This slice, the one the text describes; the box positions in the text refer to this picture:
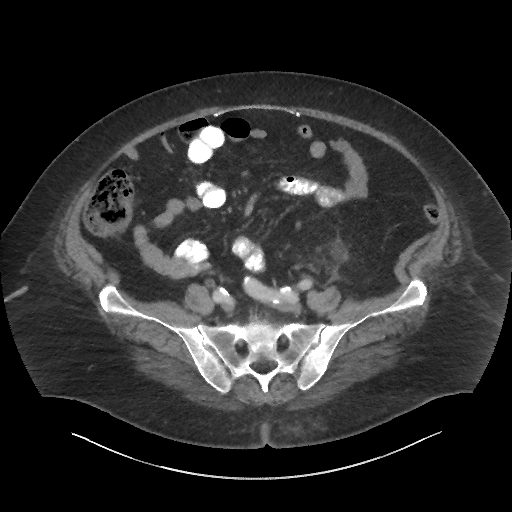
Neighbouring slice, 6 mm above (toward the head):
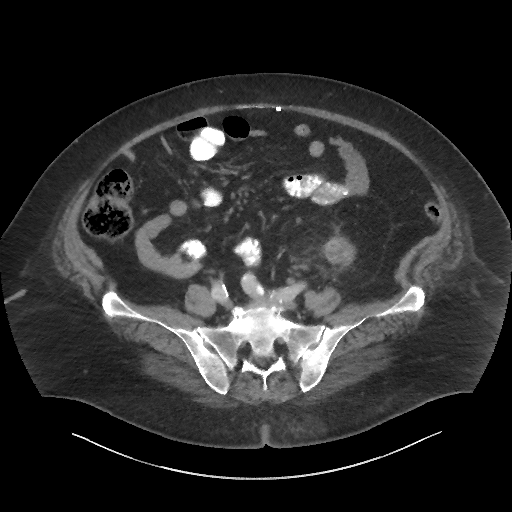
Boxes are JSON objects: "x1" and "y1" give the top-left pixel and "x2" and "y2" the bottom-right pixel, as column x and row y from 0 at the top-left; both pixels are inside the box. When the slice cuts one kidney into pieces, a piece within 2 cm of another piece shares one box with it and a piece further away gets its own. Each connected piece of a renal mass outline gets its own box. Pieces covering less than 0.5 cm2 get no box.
Slice 2/86 of a contrast-enhanced abdominal CT, counting up from the lowest; pixel size 0.977 mm, slice thickness 3.00 mm. Box {"x1": 331, "y1": 244, "x2": 347, "y2": 256}: left renal mass (outlined area 176 px, about 1.7 cm2); no kidney outline appears on this slice, but the same outlined renal mass comes within 1 cm of the kidney on another slice. This slice lies near the end of the left renal mass toward the feet; the slice 6 mm above it is shown too, and the boxes mark positions on this slice only.
Scan settings: 140 kVp, I44f reconstruction kernel.